Contrast-enhanced abdominal CT, axial slice 244 of 470 (counted from the lowest slice); tube voltage 100 kVp, convolution kernel I40f; slices 2.00 mm thick, 0.824 mm per pixel.
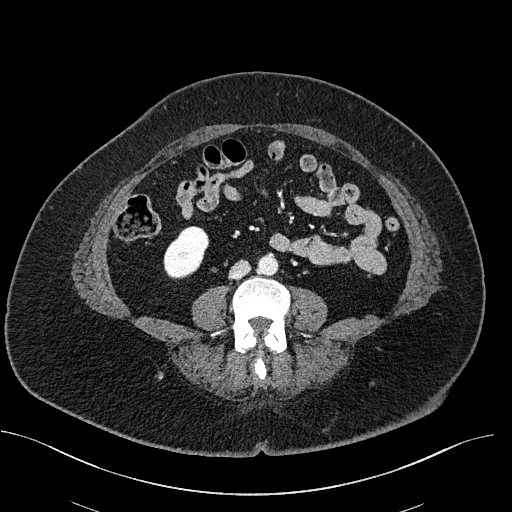
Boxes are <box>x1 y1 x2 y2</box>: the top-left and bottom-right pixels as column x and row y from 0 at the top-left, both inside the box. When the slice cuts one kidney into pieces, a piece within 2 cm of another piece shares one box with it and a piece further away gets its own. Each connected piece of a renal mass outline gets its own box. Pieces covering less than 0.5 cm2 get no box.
At <box>163 226 209 278</box>: right kidney (outlined area 1,736 px, about 11.8 cm2). No renal mass is outlined on this slice.